Abdominal CT with intravenous contrast, arterial phase, axial plane, 120 kVp, kernel B30f. Slice 458/512 from the bottom of the scan; thickness 1.00 mm; pixel size 0.771 mm.
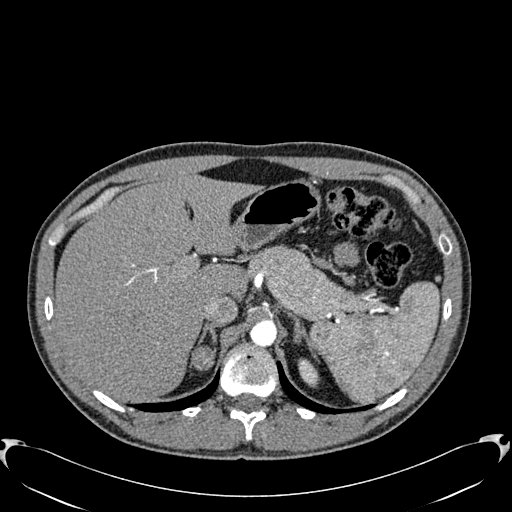
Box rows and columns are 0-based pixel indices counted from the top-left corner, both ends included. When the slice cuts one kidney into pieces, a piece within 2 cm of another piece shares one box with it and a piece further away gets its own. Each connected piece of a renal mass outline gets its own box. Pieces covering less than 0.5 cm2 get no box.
One kidney box and one renal mass box on this slice; by box centre, from the image's left to its right: (1) Right renal mass, box rows 345–370, columns 191–215 (outlined area 504 px, about 3.0 cm2); here it is more than 1 cm from any kidney outline, though on another slice the same outlined renal mass lies within 1 cm of the kidney. (2) Left kidney at rows 358–387, columns 298–319 (outlined area 444 px, about 2.6 cm2).